Arterial-phase contrast-enhanced abdominal CT, axial slice 22 of 53 (counted from the lowest slice); tube voltage 120 kVp, convolution kernel STANDARD; slices 5.00 mm thick, 0.703 mm per pixel.
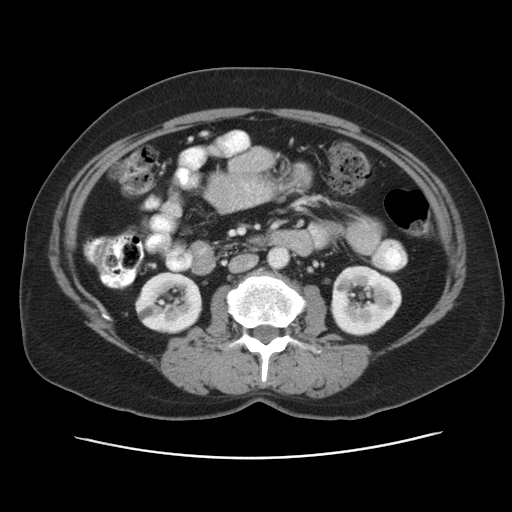
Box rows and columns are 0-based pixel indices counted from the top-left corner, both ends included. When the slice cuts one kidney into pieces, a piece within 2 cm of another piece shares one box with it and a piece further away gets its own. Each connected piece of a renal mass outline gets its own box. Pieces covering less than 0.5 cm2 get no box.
Two kidney boxes on this slice; by box centre, from the image's left to its right: (1) Box rows 271–333, columns 135–202: right kidney (outlined area 3,287 px, about 16.3 cm2). (2) Box rows 265–336, columns 330–401: left kidney (outlined area 3,898 px, about 19.3 cm2). No renal mass is outlined on this slice.